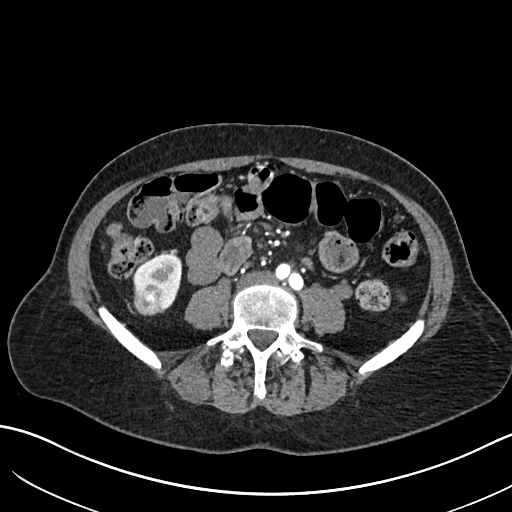
Arterial-phase contrast-enhanced abdominal CT, axial slice 261 of 683 (counted from the lowest slice); tube voltage 120 kVp, convolution kernel I30f; slices 1.00 mm thick, 0.738 mm per pixel.
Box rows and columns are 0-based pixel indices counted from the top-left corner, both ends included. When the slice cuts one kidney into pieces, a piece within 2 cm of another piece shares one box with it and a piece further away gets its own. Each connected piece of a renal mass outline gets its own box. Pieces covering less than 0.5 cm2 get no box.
One kidney box and one renal mass box on this slice; by box centre, from the image's left to its right: (1) Right renal mass, box rows 283–314, columns 133–163 (outlined area 817 px, about 4.5 cm2). (2) Right kidney, box rows 253–312, columns 132–182 (outlined area 1,657 px, about 9.0 cm2).